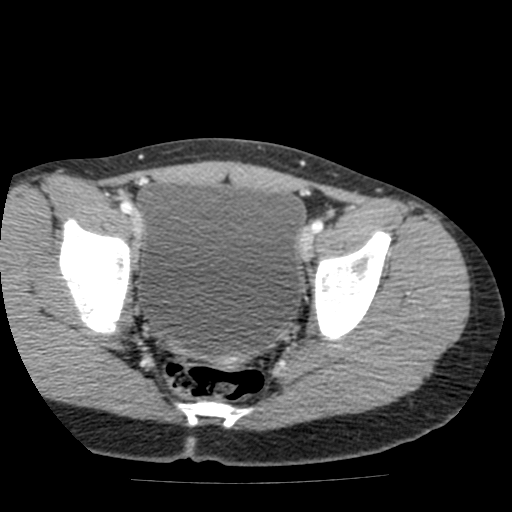
This is axial slice 27 of 117 (slice 1 is the lowest) of an arterial-phase abdominal CT with contrast; each pixel is 0.518 mm and the slice is 3.00 mm thick. Neither a kidney nor a renal mass is outlined here. Only kidneys and renal masses are outlined anywhere in this scan; other structures are never outlined.
Acquired at 120 kVp and reconstructed with the FC12 kernel.